Contrast-enhanced abdominal CT, axial slice 31 of 48 (counted from the lowest slice); tube voltage 120 kVp, convolution kernel B30f; slices 5.00 mm thick, 0.736 mm per pixel.
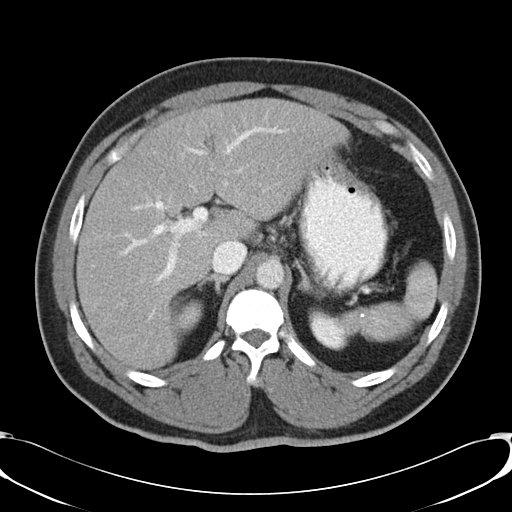
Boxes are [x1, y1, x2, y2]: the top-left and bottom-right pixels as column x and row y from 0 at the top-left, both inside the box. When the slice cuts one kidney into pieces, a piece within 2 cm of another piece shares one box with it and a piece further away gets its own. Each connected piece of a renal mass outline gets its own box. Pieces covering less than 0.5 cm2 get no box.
Two boxes on this slice (two kidney boxes), listed by box centre from the image's left to its right. (1) Right kidney at [171, 299, 203, 335] (outlined area 825 px, about 4.5 cm2). (2) Left kidney, box [308, 307, 350, 350] (outlined area 1,181 px, about 6.4 cm2). This slice carries no renal mass outline.